One axial slice (333 of 634, counting up from the lowest) of an arterial-phase abdominal CT acquired with 120 kVp, kernel B20f; each pixel is 0.838 mm and the slice is 1.00 mm thick.
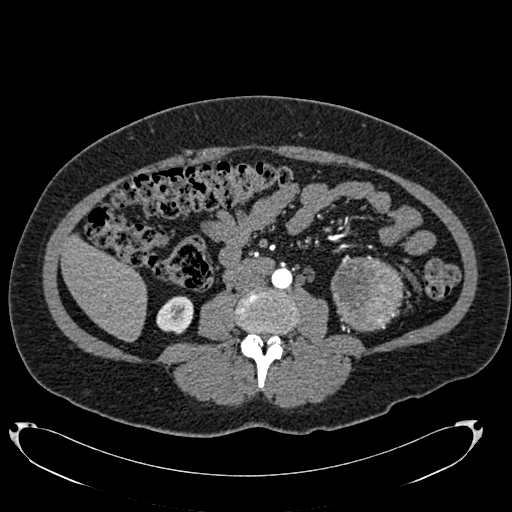
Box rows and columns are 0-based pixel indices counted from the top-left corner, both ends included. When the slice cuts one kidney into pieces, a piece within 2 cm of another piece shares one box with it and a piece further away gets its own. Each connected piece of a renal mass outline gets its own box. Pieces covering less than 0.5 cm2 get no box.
One kidney box and one renal mass box on this slice; by box centre, from the image's left to its right: (1) Right kidney, box rows 296–333, columns 156–193 (outlined area 1,102 px, about 7.7 cm2). (2) Left renal mass, box rows 255–331, columns 330–404 (outlined area 4,352 px, about 30.6 cm2); on this slice it lies more than 1 cm from any kidney outline, but the same outlined renal mass comes within 1 cm of the kidney on another slice.